Axial slice 360 of 723 of a contrast-enhanced abdominal CT in the arterial phase (slice 1 is the lowest), 120 kVp, kernel B30f; 1.00 mm slice thickness and 0.895 mm pixels.
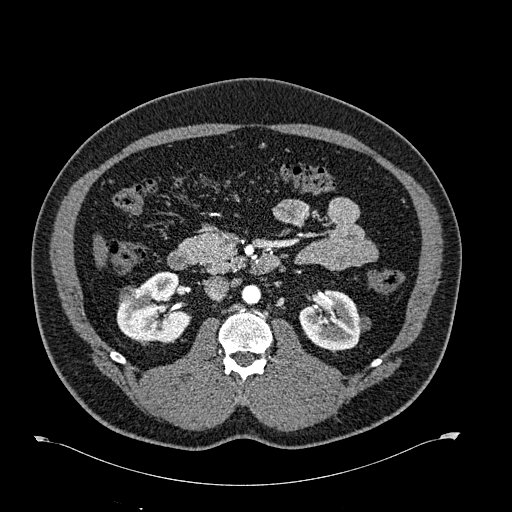
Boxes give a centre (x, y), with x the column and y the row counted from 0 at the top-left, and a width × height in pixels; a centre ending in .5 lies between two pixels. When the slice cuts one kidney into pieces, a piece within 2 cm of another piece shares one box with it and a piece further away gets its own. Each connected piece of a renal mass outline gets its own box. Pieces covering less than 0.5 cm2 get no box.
Three boxes on this slice (two kidney boxes and one renal mass box), listed by box centre from the image's left to its right. (1) Right renal mass in a box with centre (127.5, 294.5), 18 × 18 pixels (outlined area 246 px, about 2.0 cm2). (2) Right kidney in a box with centre (153.5, 307), 76 × 73 pixels (outlined area 3,754 px, about 30.0 cm2). (3) Box centre (334.5, 321), 72 × 63 pixels: left kidney (outlined area 3,101 px, about 24.8 cm2).